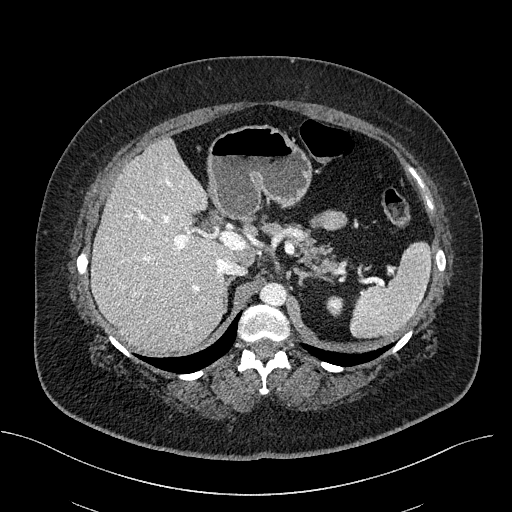
Contrast-enhanced abdominal CT, axial slice 347 of 470 (counted from the lowest slice); tube voltage 100 kVp, convolution kernel I40f; slices 2.00 mm thick, 0.824 mm per pixel.
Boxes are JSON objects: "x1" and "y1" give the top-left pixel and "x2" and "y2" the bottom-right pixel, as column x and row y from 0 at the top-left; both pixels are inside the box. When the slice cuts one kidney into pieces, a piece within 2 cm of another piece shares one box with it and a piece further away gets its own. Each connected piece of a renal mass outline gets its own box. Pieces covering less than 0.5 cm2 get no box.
Left kidney at {"x1": 325, "y1": 295, "x2": 343, "y2": 317} (outlined area 299 px, about 2.0 cm2). No renal mass is outlined on this slice.